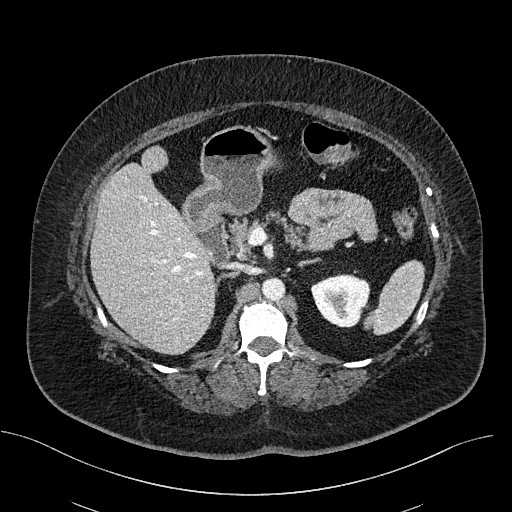
Axial slice 329 of 470 of a contrast-enhanced abdominal CT (slice 1 is the lowest), 100 kVp, kernel I40f; 2.00 mm slice thickness and 0.824 mm pixels.
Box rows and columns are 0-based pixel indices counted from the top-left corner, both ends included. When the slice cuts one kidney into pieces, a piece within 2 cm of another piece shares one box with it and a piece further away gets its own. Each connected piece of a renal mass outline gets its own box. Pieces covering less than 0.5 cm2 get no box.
Box rows 274–327, columns 310–370: left kidney (outlined area 2,379 px, about 16.2 cm2). No renal mass is outlined on this slice.